One axial slice (437 of 634, counting up from the lowest) of an arterial-phase abdominal CT acquired with 120 kVp, kernel B20f; each pixel is 0.838 mm and the slice is 1.00 mm thick.
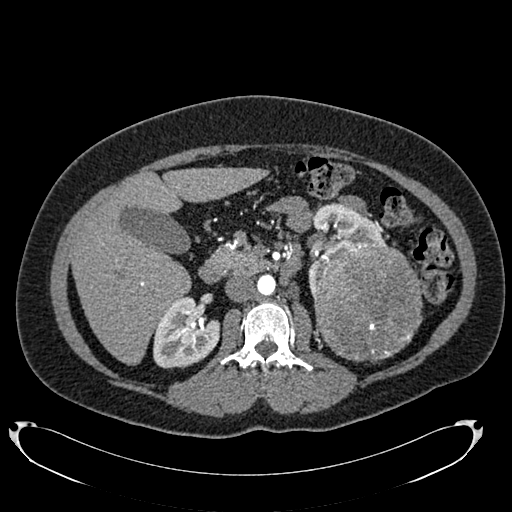
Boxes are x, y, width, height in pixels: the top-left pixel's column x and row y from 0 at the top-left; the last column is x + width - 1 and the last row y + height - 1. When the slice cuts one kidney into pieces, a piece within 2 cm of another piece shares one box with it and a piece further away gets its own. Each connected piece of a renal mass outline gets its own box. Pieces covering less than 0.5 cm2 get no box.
Boxed on this slice (two kidney boxes and one renal mass box), listed by box centre from the image's left to its right: (1) Right kidney at x 152, y 296, width 68, height 73 (outlined area 3,564 px, about 25.0 cm2). (2) Left kidney, box x 308, y 203, width 78, height 93 (outlined area 3,007 px, about 21.1 cm2). (3) Left renal mass at x 313, y 243, width 110, height 119 (outlined area 10,492 px, about 73.7 cm2).